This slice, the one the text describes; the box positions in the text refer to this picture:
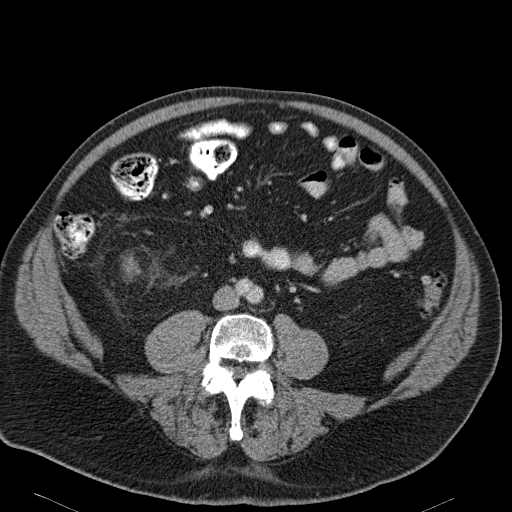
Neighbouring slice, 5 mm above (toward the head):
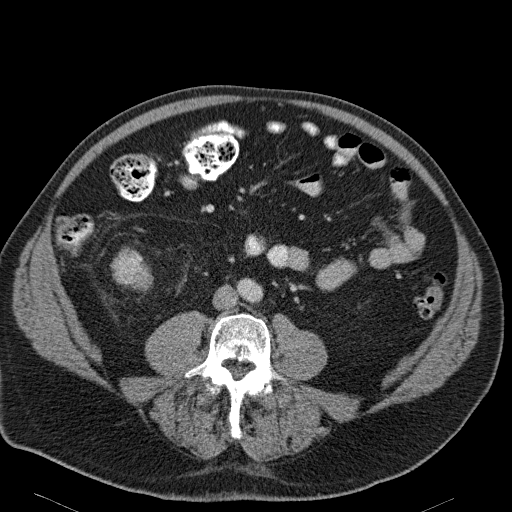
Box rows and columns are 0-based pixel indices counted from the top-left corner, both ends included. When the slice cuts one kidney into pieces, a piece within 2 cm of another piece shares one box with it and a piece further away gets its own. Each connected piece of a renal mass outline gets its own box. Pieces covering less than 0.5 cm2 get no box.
This is axial slice 64 of 114 (slice 1 is the lowest) of an arterial-phase abdominal CT with contrast; each pixel is 0.781 mm and the slice is 5.00 mm thick. Box rows 253–283, columns 121–141: right renal mass (outlined area 380 px, about 2.3 cm2); this slice has no kidney outline, though on another slice the same outlined renal mass lies within 1 cm of the kidney. This slice is near the end of the right renal mass toward the feet, so the slice 5 mm above it is shown as well; the boxes refer to this slice only.
Scan settings: 120 kVp, B31f reconstruction kernel.